Contrast-enhanced abdominal CT, axial slice 43 of 94 (counted from the lowest slice); tube voltage 120 kVp, convolution kernel B41f; slices 3.00 mm thick, 0.977 mm per pixel.
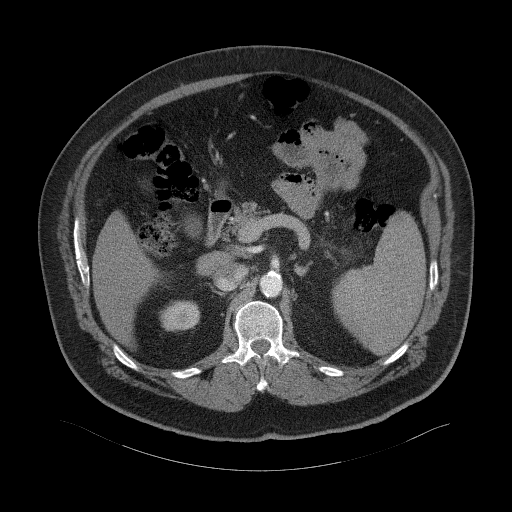
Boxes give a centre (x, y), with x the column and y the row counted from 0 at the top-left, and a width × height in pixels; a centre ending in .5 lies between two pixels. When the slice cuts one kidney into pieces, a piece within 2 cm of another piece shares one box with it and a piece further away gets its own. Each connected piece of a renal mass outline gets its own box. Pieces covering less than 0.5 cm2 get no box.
Right kidney, box centre (179.5, 315.5), 42 × 32 pixels (outlined area 1,056 px, about 10.1 cm2). No renal mass is outlined on this slice.